Axial slice 389 of 683 of a contrast-enhanced abdominal CT in the arterial phase (slice 1 is the lowest), 120 kVp, kernel I30f; 1.00 mm slice thickness and 0.738 mm pixels.
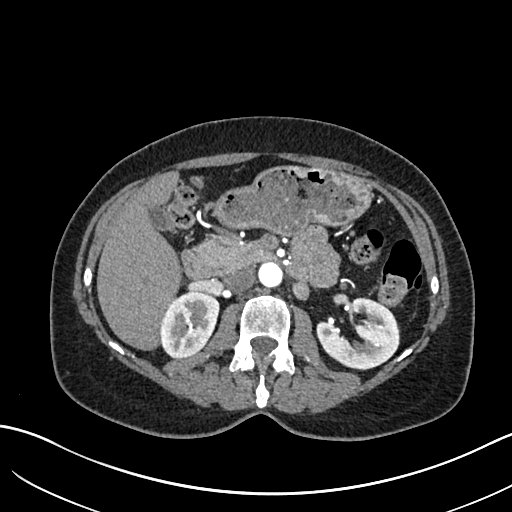
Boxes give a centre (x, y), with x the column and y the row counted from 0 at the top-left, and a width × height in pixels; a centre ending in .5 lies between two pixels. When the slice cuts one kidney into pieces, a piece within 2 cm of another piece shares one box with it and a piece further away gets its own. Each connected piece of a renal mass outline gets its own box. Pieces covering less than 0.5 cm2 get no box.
Boxed on this slice (two kidney boxes), listed by box centre from the image's left to its right: (1) Right kidney, box centre (189.5, 324.5), 60 × 68 pixels (outlined area 3,081 px, about 16.8 cm2). (2) Box centre (358, 332), 83 × 73 pixels: left kidney (outlined area 3,853 px, about 21.0 cm2). This slice carries no renal mass outline.